Abdominal CT with intravenous contrast, axial plane, 120 kVp, kernel B. Slice 63/88 from the bottom of the scan; thickness 5.00 mm; pixel size 0.865 mm.
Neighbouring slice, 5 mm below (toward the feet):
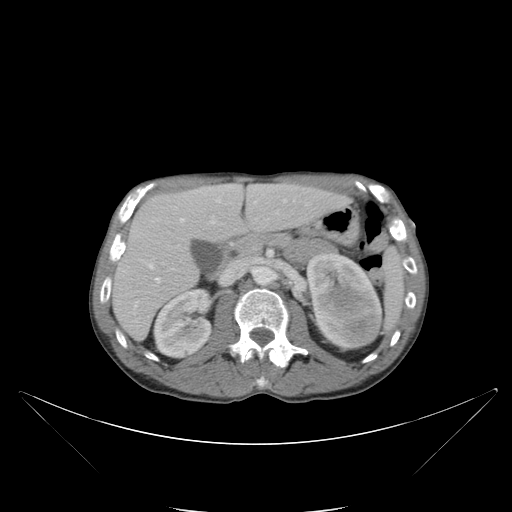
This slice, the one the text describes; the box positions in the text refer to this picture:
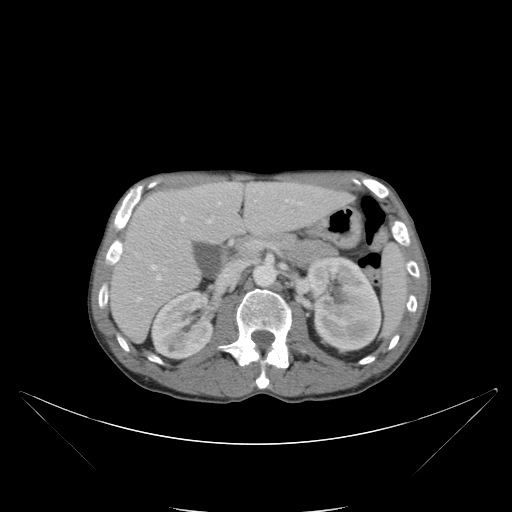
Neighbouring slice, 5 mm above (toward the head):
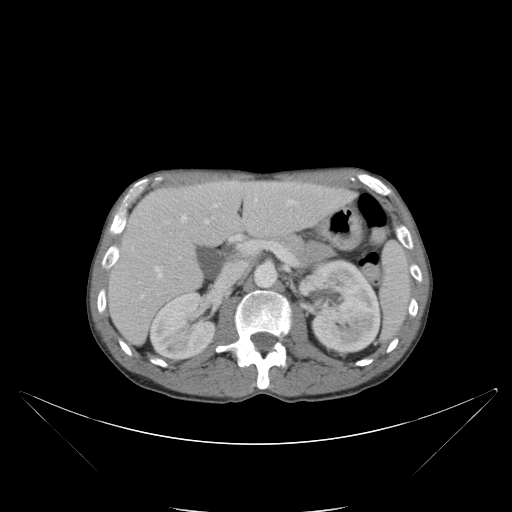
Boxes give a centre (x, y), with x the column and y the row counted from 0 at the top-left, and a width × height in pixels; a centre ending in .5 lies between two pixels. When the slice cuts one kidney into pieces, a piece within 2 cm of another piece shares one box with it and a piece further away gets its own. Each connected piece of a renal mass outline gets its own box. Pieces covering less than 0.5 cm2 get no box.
Boxed on this slice (two kidney boxes and one renal mass box), listed by box centre from the image's left to its right: (1) Right kidney in a box with centre (182.5, 324.5), 66 × 70 pixels (outlined area 3,361 px, about 25.2 cm2). (2) Box centre (344, 294.5), 75 × 78 pixels: left kidney (outlined area 3,349 px, about 25.1 cm2). (3) Left renal mass in a box with centre (349, 328), 65 × 45 pixels (outlined area 2,221 px, about 16.6 cm2). This slice is near the end of the left renal mass toward the head, so the slices 5 mm below and 5 mm above it are shown as well; the boxes refer to this slice only.